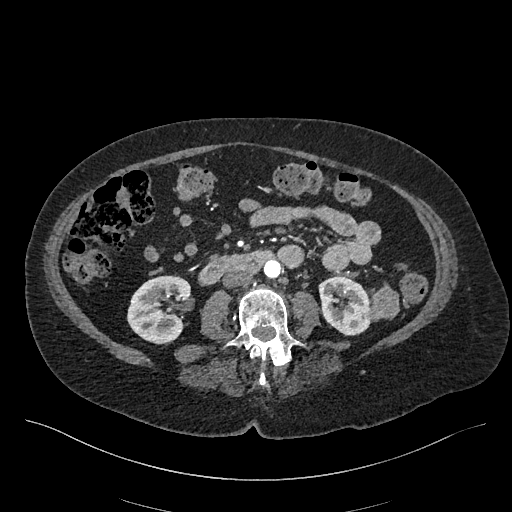
One axial slice (203 of 548, counting up from the lowest) of an arterial-phase abdominal CT acquired with 120 kVp, kernel I26f; each pixel is 0.852 mm and the slice is 1.00 mm thick.
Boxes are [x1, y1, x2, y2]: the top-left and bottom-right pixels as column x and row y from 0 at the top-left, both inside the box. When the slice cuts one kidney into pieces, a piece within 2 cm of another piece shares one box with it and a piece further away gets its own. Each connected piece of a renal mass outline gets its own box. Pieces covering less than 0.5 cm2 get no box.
Four boxes on this slice (two kidney boxes and two renal mass boxes), listed by box centre from the image's left to its right. (1) Right kidney at [127, 275, 190, 344] (outlined area 3,371 px, about 24.4 cm2). (2) Left kidney at [318, 275, 373, 335] (outlined area 2,461 px, about 17.8 cm2). (3) Left renal mass at [366, 304, 375, 321] (outlined area 87 px, about 0.6 cm2). (4) Left renal mass, box [372, 283, 399, 319] (outlined area 726 px, about 5.3 cm2).